Abdominal CT with intravenous contrast, axial plane, 120 kVp, kernel I30f. Slice 54/109 from the bottom of the scan; thickness 3.00 mm; pixel size 0.742 mm.
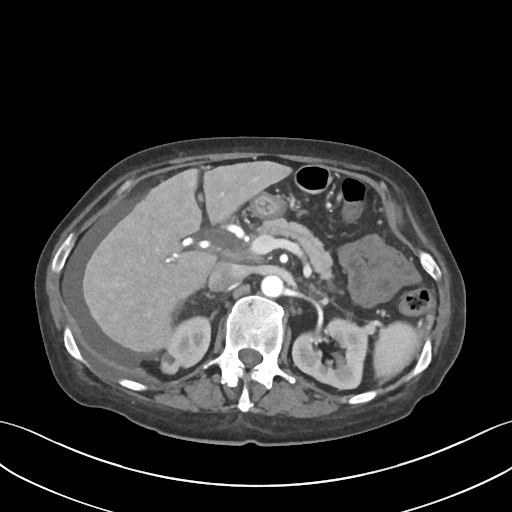
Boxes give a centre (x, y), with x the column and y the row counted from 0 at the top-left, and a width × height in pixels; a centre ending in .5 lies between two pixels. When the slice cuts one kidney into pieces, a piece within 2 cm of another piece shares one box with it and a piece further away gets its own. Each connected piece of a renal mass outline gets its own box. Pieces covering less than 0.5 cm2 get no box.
Three boxes on this slice (two kidney boxes and one renal mass box), listed by box centre from the image's left to its right. (1) Right renal mass, box centre (170, 362.5), 23 × 24 pixels (outlined area 377 px, about 2.1 cm2). (2) Right kidney in a box with centre (187.5, 341.5), 48 × 54 pixels (outlined area 1,799 px, about 9.9 cm2). (3) Left kidney in a box with centre (330, 353.5), 79 × 74 pixels (outlined area 4,014 px, about 22.1 cm2).